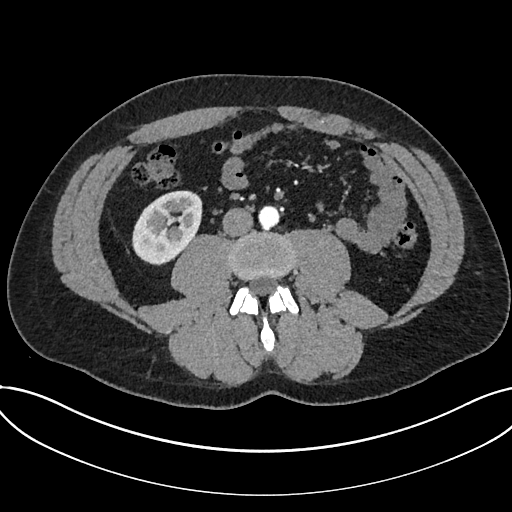
Axial slice 306 of 735 of a contrast-enhanced abdominal CT in the arterial phase (slice 1 is the lowest), 120 kVp, kernel I30f; 1.00 mm slice thickness and 0.789 mm pixels.
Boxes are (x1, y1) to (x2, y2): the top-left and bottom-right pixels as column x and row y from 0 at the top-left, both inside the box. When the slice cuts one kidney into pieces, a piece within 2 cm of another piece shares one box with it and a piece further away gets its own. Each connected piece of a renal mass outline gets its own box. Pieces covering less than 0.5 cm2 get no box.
Kidney from (132, 190) to (202, 264) (outlined area 3,793 px, about 23.6 cm2).